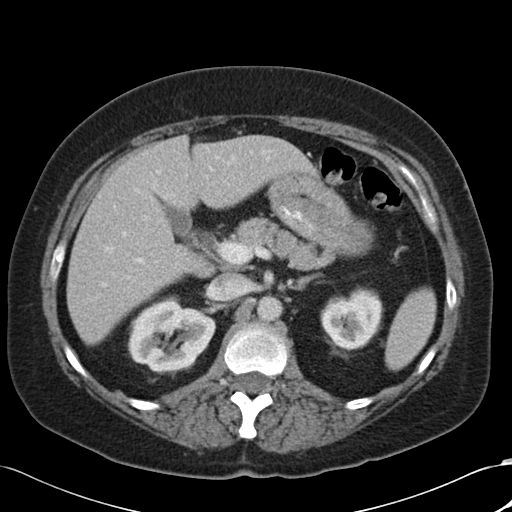
Arterial-phase contrast-enhanced abdominal CT, axial slice 67 of 88 (counted from the lowest slice); tube voltage 120 kVp, convolution kernel B30f; slices 5.00 mm thick, 0.691 mm per pixel.
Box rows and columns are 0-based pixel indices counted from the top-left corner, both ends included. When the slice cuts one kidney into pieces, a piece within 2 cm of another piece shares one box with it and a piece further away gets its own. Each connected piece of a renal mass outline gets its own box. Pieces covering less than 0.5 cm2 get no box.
Two kidney boxes on this slice; by box centre, from the image's left to its right: (1) Right kidney, box rows 300–372, columns 127–215 (outlined area 4,698 px, about 22.5 cm2). (2) Box rows 290–349, columns 320–383: left kidney (outlined area 2,868 px, about 13.7 cm2). This slice carries no renal mass outline.